Contrast-enhanced abdominal CT, axial slice 238 of 470 (counted from the lowest slice); tube voltage 100 kVp, convolution kernel I40f; slices 2.00 mm thick, 0.824 mm per pixel.
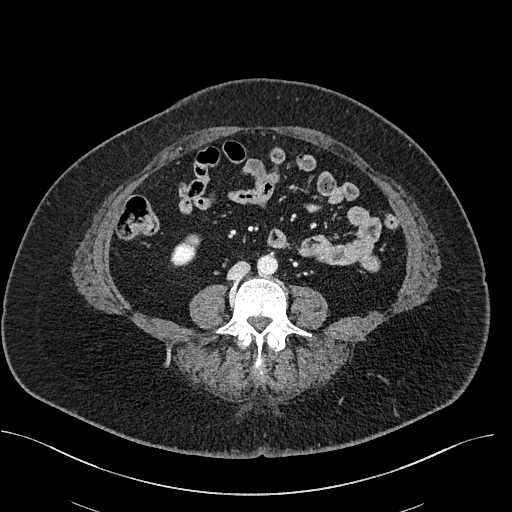
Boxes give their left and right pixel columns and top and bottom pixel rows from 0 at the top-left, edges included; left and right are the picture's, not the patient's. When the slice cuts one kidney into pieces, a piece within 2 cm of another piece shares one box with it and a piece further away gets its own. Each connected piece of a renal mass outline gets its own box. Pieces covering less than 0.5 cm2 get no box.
Right kidney in the box with left 170, top 236, right 198, bottom 266 (outlined area 605 px, about 4.1 cm2). No renal mass outline on this slice.